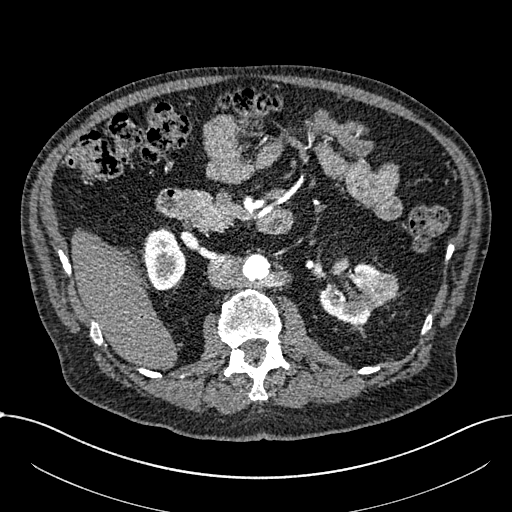
One axial slice (406 of 1059, counting up from the lowest) of an arterial-phase abdominal CT acquired with 100 kVp, kernel I30f; each pixel is 0.811 mm and the slice is 1.00 mm thick.
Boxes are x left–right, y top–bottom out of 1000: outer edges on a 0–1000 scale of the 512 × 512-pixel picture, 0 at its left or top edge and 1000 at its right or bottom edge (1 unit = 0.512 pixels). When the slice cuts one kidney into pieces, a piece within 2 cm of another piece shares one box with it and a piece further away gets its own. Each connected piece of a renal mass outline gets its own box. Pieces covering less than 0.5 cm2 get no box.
Two kidney boxes and one renal mass box on this slice; by box centre, from the image's left to its right: (1) Box x 283–365, y 445–568 out of 1000: right part of the midline-crossing kidney (outlined area 1,985 px, about 13.0 cm2). (2) Left part of the midline-crossing kidney, box x 623–746, y 514–639 out of 1000 (outlined area 2,366 px, about 15.5 cm2). (3) Renal mass, box x 717–779, y 531–600 out of 1000 (outlined area 766 px, about 5.0 cm2).